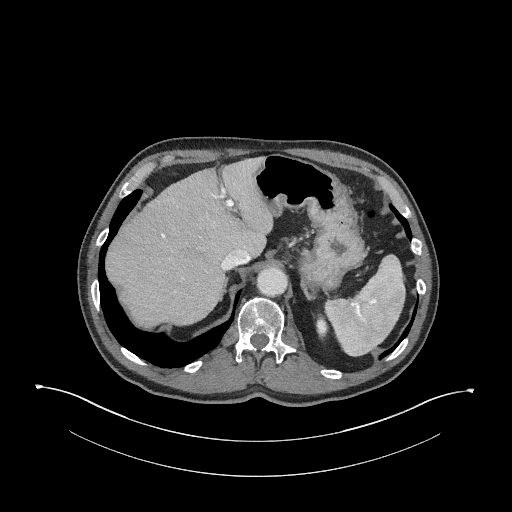
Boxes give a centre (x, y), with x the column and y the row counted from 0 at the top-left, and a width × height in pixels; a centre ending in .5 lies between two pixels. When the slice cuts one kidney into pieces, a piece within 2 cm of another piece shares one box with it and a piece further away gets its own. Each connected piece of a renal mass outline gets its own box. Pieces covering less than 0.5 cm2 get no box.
Arterial-phase contrast-enhanced abdominal CT, axial slice 189 of 345 (counted from the lowest slice); 2.00 mm thick, 0.977 mm per pixel. Left kidney in a box with centre (320.5, 326.5), 16 × 28 pixels (outlined area 281 px, about 2.7 cm2). No renal mass is outlined on this slice.
Acquired at 120 kVp and reconstructed with the I31f kernel.